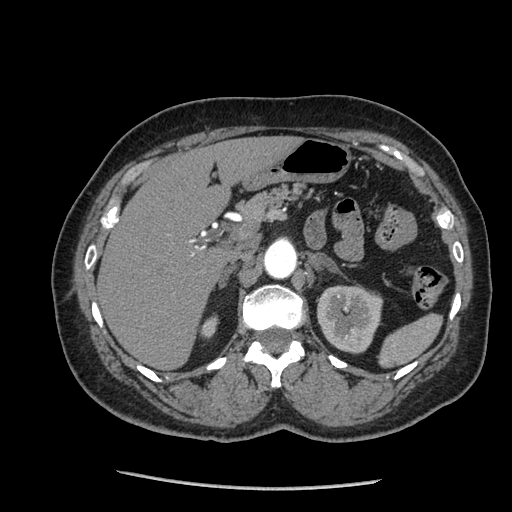
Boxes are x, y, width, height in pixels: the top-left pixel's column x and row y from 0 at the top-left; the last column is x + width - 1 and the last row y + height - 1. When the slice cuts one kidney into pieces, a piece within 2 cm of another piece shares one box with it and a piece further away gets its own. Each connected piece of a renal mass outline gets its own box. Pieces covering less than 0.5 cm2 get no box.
Slice 151/233 of a contrast-enhanced abdominal CT in the arterial phase, counting up from the lowest; pixel size 0.703 mm, slice thickness 1.25 mm. Two kidney boxes on this slice; by box centre, from the image's left to its right: (1) Right kidney, box x 199, y 314, width 20, height 26 (outlined area 331 px, about 1.6 cm2). (2) Left kidney, box x 317, y 285, width 67, height 70 (outlined area 3,564 px, about 17.6 cm2). No renal mass outline on this slice.
Scan settings: 120 kVp, STANDARD reconstruction kernel.